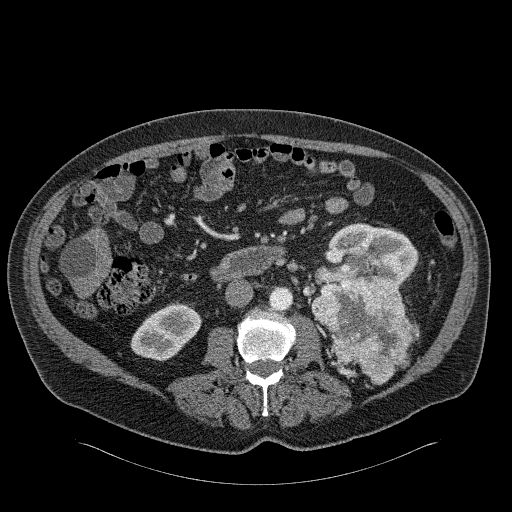
One axial slice (102 of 326, counting up from the lowest) of an arterial-phase abdominal CT acquired with 120 kVp, kernel B31f; each pixel is 0.963 mm and the slice is 2.00 mm thick.
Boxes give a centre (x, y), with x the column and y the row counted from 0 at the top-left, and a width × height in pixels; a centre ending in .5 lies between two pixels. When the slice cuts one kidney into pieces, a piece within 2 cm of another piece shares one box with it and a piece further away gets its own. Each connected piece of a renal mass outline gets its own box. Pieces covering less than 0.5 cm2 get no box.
Two kidney boxes and one renal mass box on this slice; by box centre, from the image's left to its right: (1) Box centre (165.5, 331), 72 × 61 pixels: right kidney (outlined area 2,801 px, about 26.0 cm2). (2) Box centre (363.5, 330), 106 × 109 pixels: left renal mass (outlined area 7,614 px, about 70.6 cm2). (3) Left kidney in a box with centre (367, 257.5), 103 × 72 pixels (outlined area 4,530 px, about 42.0 cm2).